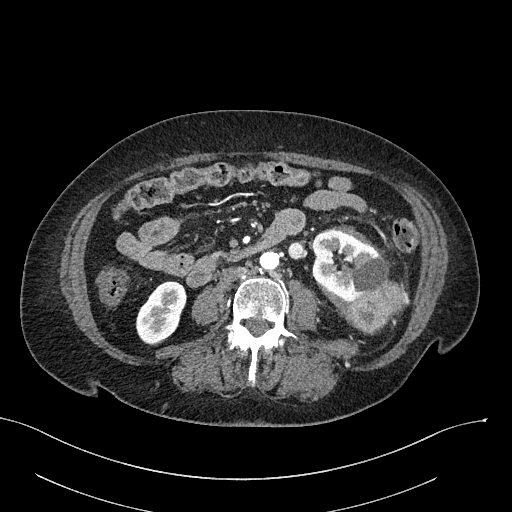
One axial slice (98 of 316, counting up from the lowest) of an arterial-phase abdominal CT acquired with 100 kVp, kernel I40f; each pixel is 0.840 mm and the slice is 2.00 mm thick.
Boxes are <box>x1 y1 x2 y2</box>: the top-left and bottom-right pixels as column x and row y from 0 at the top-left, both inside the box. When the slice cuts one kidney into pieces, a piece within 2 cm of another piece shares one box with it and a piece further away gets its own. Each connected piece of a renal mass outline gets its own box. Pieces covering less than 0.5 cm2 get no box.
Three boxes on this slice (two kidney boxes and one renal mass box), listed by box centre from the image's left to its right. (1) Right kidney: <box>135 281 186 344</box> (outlined area 2,278 px, about 16.1 cm2). (2) Left kidney: <box>312 230 388 304</box> (outlined area 3,820 px, about 26.9 cm2). (3) At <box>347 279 408 332</box>: left renal mass (outlined area 2,147 px, about 15.1 cm2).